Abdominal CT with intravenous contrast, arterial phase, axial plane, 120 kVp, kernel STANDARD. Slice 15/96 from the bottom of the scan; thickness 2.50 mm; pixel size 0.689 mm.
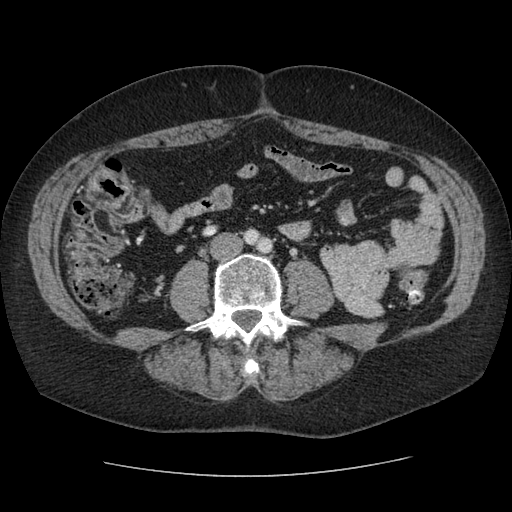
Outside the outlined region: no kidney outline and no renal mass outline on this slice. The scan's outlines cover only kidneys and renal masses; no other organ is outlined.